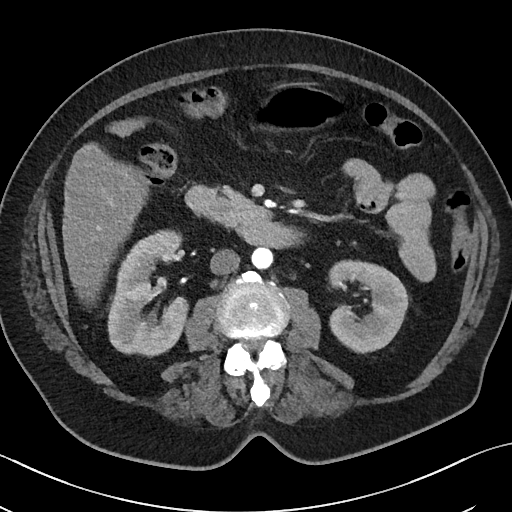
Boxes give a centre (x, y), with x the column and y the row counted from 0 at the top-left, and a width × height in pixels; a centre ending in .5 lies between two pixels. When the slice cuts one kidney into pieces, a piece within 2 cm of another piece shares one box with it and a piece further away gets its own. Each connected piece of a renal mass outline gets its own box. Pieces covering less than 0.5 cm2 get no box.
Contrast-enhanced abdominal CT, axial slice 18 of 50 (counted from the lowest slice); 5.00 mm thick, 0.723 mm per pixel. Boxed on this slice (two kidney boxes), listed by box centre from the image's left to its right: (1) Box centre (147.5, 293), 82 × 129 pixels: right kidney (outlined area 6,893 px, about 36.0 cm2). (2) Left kidney, box centre (368, 306), 81 × 95 pixels (outlined area 5,128 px, about 26.8 cm2). This slice carries no renal mass outline.
Scan settings: 100 kVp, I40f reconstruction kernel.